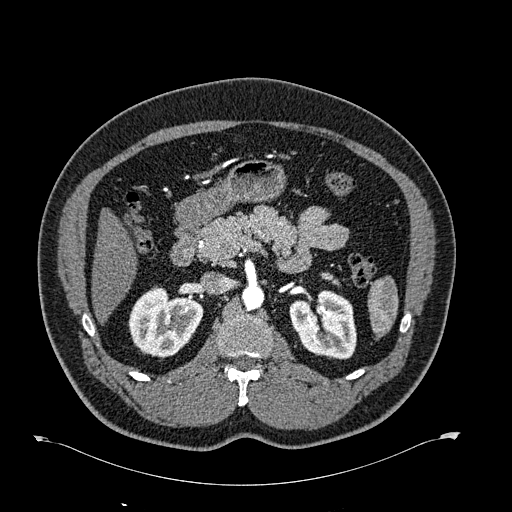
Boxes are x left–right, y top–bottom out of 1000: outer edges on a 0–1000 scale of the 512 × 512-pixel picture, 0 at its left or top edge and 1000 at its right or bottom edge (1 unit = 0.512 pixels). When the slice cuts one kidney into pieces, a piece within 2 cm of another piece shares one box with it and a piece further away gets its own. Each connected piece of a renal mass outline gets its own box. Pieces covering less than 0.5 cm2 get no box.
Arterial-phase contrast-enhanced abdominal CT, axial slice 409 of 723 (counted from the lowest slice); 1.00 mm thick, 0.895 mm per pixel. Boxed on this slice (two kidney boxes), listed by box centre from the image's left to its right: (1) Right kidney at x 250–398, y 557–699 out of 1000 (outlined area 3,806 px, about 30.5 cm2). (2) Left kidney, box x 564–697, y 564–703 out of 1000 (outlined area 3,572 px, about 28.6 cm2). No renal mass outline on this slice.
Scan settings: 120 kVp, B30f reconstruction kernel.